Abdominal CT with intravenous contrast, arterial phase, axial plane, 120 kVp, kernel B31f. Slice 100/279 from the bottom of the scan; thickness 2.00 mm; pixel size 0.824 mm.
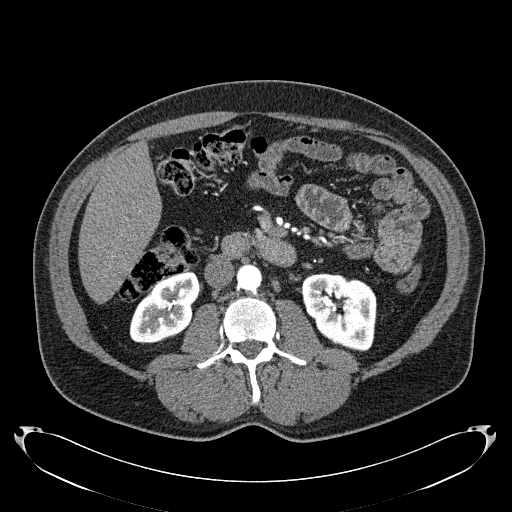
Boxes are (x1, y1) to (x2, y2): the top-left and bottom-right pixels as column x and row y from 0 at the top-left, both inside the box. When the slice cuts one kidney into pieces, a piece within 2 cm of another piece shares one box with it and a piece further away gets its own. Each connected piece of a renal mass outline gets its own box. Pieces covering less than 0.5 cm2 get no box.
Boxed on this slice (two kidney boxes), listed by box centre from the image's left to its right: (1) Box (129, 270) to (199, 343): right kidney (outlined area 3,461 px, about 23.5 cm2). (2) Box (300, 273) to (376, 351): left kidney (outlined area 4,492 px, about 30.5 cm2). This slice carries no renal mass outline.